One axial slice (444 of 719, counting up from the lowest) of an arterial-phase abdominal CT acquired with 120 kVp, kernel B20f; each pixel is 0.766 mm and the slice is 1.00 mm thick.
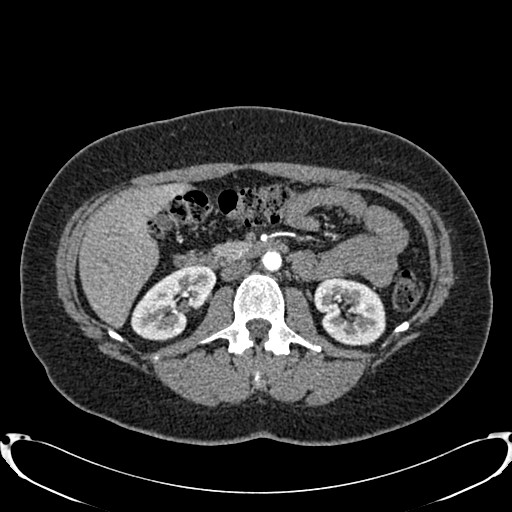
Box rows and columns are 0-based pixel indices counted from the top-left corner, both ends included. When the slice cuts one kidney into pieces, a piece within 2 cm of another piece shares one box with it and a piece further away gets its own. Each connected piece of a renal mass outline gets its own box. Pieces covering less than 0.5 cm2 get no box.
Two kidney boxes on this slice; by box centre, from the image's left to its right: (1) Box rows 265–341, columns 130–216: right kidney (outlined area 4,067 px, about 23.8 cm2). (2) Left kidney, box rows 276–345, columns 313–385 (outlined area 3,805 px, about 22.3 cm2). No renal mass is outlined on this slice.